Abdominal CT with intravenous contrast, arterial phase, axial plane, 120 kVp, kernel I30f. Slice 444/705 from the bottom of the scan; thickness 1.00 mm; pixel size 0.703 mm.
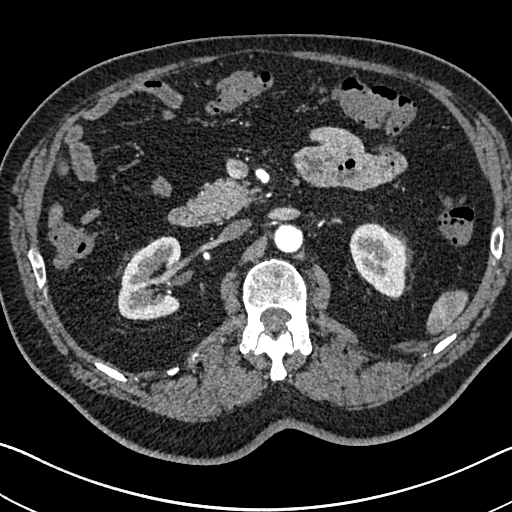
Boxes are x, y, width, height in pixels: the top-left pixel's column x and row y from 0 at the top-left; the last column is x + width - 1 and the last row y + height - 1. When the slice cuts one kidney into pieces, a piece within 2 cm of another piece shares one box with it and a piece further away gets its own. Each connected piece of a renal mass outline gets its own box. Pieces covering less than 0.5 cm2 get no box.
Boxed on this slice (two kidney boxes), listed by box centre from the image's left to its right: (1) Box x 117, y 236, width 65, height 85: right kidney (outlined area 4,126 px, about 20.4 cm2). (2) Left kidney at x 349, y 222, width 58, height 78 (outlined area 3,211 px, about 15.9 cm2). This slice carries no renal mass outline.